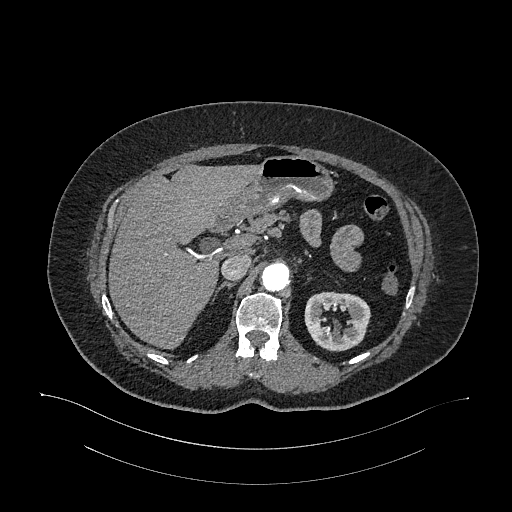
Abdominal CT with intravenous contrast, arterial phase, axial plane, 120 kVp, kernel I26f. Slice 741/987 from the bottom of the scan; thickness 1.00 mm; pixel size 0.977 mm.
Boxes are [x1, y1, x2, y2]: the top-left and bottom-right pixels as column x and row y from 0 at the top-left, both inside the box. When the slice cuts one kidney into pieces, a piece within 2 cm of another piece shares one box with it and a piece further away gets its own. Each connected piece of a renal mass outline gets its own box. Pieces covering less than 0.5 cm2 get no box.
Left kidney at [304, 291, 370, 351] (outlined area 2,926 px, about 27.9 cm2). No renal mass outline on this slice.